Arterial-phase contrast-enhanced abdominal CT, axial slice 249 of 723 (counted from the lowest slice); tube voltage 120 kVp, convolution kernel B30f; slices 1.00 mm thick, 0.895 mm per pixel.
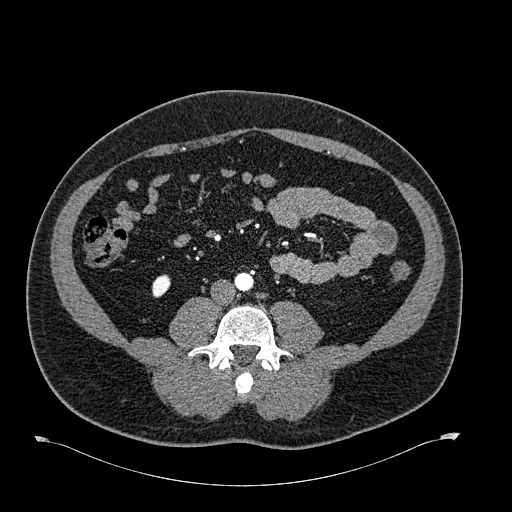
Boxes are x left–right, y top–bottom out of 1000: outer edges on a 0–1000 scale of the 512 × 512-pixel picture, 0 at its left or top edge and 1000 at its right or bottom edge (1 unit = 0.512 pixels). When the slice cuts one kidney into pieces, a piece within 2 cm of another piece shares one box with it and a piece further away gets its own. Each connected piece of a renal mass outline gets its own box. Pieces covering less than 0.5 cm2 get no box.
Right kidney, box x 297–334, y 535–582 out of 1000 (outlined area 341 px, about 2.7 cm2). No renal mass outline on this slice.